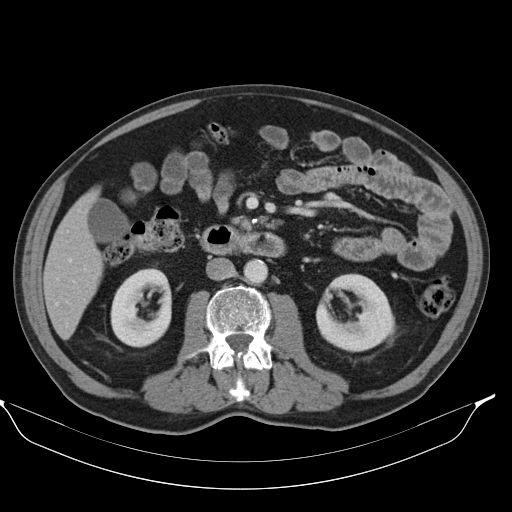
Abdominal CT with intravenous contrast, axial plane, 130 kVp, kernel B30s. Slice 53/98 from the bottom of the scan; thickness 5.00 mm; pixel size 0.840 mm.
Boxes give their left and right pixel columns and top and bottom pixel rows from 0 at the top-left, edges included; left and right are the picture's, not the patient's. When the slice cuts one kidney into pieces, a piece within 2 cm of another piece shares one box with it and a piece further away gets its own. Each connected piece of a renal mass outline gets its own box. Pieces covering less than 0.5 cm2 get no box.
Two kidney boxes on this slice; by box centre, from the image's left to its right: (1) Right kidney in the box with left 110, top 267, right 171, bottom 347 (outlined area 3,699 px, about 26.1 cm2). (2) Box with left 316, top 273, right 395, bottom 352: left kidney (outlined area 4,491 px, about 31.7 cm2). No renal mass outline on this slice.